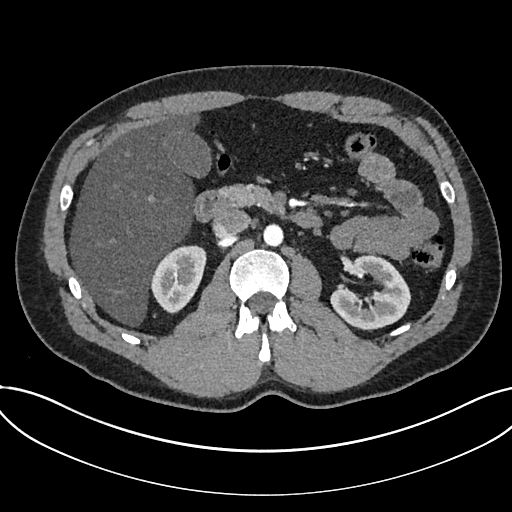
Axial slice 440 of 735 of a contrast-enhanced abdominal CT in the arterial phase (slice 1 is the lowest), 120 kVp, kernel I30f; 1.00 mm slice thickness and 0.789 mm pixels.
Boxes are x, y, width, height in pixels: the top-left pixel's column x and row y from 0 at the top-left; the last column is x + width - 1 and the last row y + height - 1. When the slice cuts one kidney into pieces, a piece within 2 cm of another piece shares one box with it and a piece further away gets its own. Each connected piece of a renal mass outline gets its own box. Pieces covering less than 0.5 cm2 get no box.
Two kidney boxes on this slice; by box centre, from the image's left to its right: (1) Kidney at x 151, y 245, width 56, height 68 (outlined area 2,733 px, about 17.0 cm2). (2) Kidney at x 330, y 255, width 80, height 76 (outlined area 3,967 px, about 24.7 cm2). This slice carries no renal mass outline.